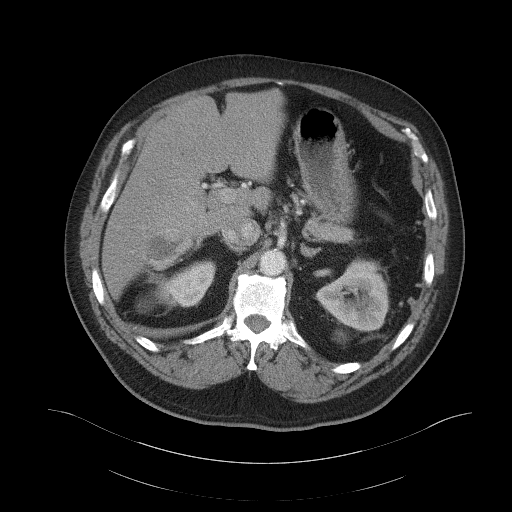
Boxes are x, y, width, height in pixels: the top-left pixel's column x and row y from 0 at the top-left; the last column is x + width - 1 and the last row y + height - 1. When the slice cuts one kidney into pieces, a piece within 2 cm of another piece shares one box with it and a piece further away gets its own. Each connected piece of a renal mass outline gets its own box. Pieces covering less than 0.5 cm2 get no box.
Arterial-phase contrast-enhanced abdominal CT, axial slice 80 of 103 (counted from the lowest slice); 5.00 mm thick, 0.951 mm per pixel. Boxed on this slice (two kidney boxes and one renal mass box), listed by box centre from the image's left to its right: (1) Right renal mass at x 141, y 228, width 52, height 37 (outlined area 1,419 px, about 12.8 cm2). (2) Box x 137, y 260, width 80, height 53: right kidney (outlined area 2,271 px, about 20.5 cm2). (3) Left kidney, box x 315, y 257, width 74, height 75 (outlined area 3,728 px, about 33.7 cm2).
Scan settings: 120 kVp, B41f reconstruction kernel.